One axial slice (27 of 301, counting up from the lowest) of a contrast-enhanced abdominal CT acquired with 120 kVp, kernel I40f; each pixel is 0.859 mm and the slice is 2.00 mm thick.
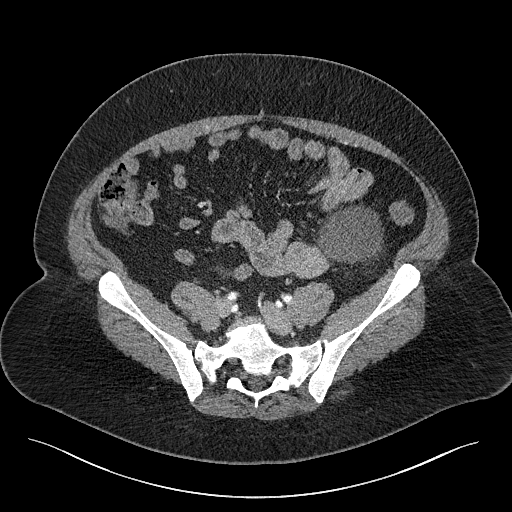
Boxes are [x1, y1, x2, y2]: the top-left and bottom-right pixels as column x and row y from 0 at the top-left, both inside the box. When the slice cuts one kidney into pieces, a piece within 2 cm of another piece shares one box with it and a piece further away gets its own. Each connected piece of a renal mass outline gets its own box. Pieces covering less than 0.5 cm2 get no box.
Box [316, 205, 383, 264]: left renal mass (outlined area 3,005 px, about 22.2 cm2); no kidney is outlined on this slice, but the same outlined renal mass comes within 1 cm of the kidney on another slice.